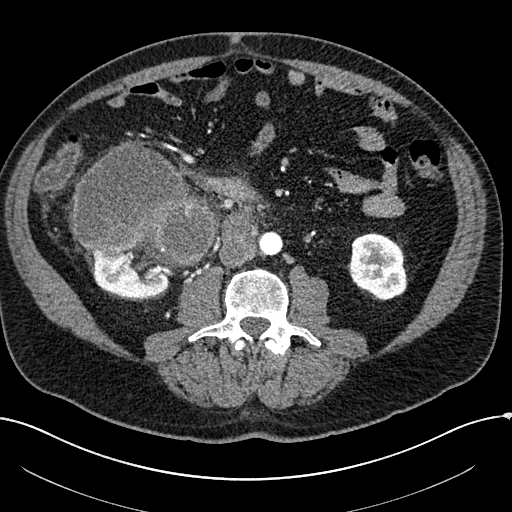
One axial slice (66 of 304, counting up from the lowest) of an arterial-phase abdominal CT acquired with 100 kVp, kernel I30f; each pixel is 0.809 mm and the slice is 2.00 mm thick.
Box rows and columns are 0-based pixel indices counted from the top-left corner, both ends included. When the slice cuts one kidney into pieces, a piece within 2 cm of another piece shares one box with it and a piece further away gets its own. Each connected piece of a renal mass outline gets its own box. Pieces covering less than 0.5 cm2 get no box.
Three boxes on this slice (two kidney boxes and one renal mass box), listed by box centre from the image's left to its right. (1) Right kidney, box rows 253–299, columns 89–174 (outlined area 2,545 px, about 16.6 cm2). (2) Right renal mass at rows 145–270, columns 71–217 (outlined area 13,377 px, about 87.5 cm2). (3) Left kidney, box rows 232–300, columns 347–407 (outlined area 3,138 px, about 20.5 cm2).